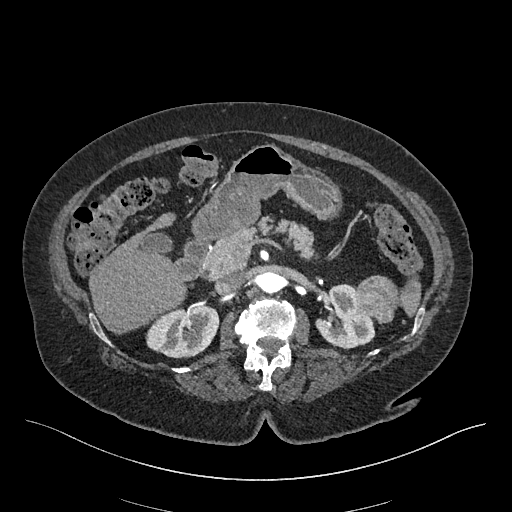
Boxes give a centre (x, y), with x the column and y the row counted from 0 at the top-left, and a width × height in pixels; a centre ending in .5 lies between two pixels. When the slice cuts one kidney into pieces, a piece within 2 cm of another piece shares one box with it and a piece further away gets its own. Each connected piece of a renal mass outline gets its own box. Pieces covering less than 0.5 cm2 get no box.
Arterial-phase contrast-enhanced abdominal CT, axial slice 280 of 548 (counted from the lowest slice); 1.00 mm thick, 0.852 mm per pixel. Two kidney boxes and one renal mass box on this slice; by box centre, from the image's left to its right: (1) Right kidney, box centre (182.5, 331), 74 × 55 pixels (outlined area 2,993 px, about 21.7 cm2). (2) Left kidney, box centre (344.5, 316), 62 × 65 pixels (outlined area 2,541 px, about 18.4 cm2). (3) Box centre (376, 299.5), 43 × 50 pixels: left renal mass (outlined area 1,610 px, about 11.7 cm2).
Acquired at 120 kVp and reconstructed with the I26f kernel.